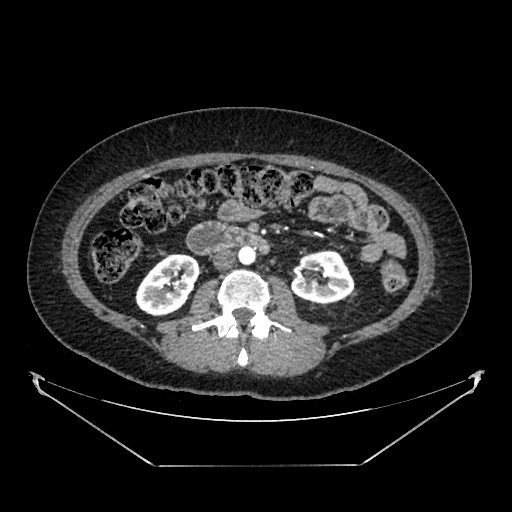
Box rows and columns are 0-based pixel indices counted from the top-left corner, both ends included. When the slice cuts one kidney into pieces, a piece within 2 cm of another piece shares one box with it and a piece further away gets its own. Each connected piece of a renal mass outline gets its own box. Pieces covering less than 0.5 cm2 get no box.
Arterial-phase contrast-enhanced abdominal CT, axial slice 209 of 383 (counted from the lowest slice); 1.25 mm thick, 0.898 mm per pixel. Boxed on this slice (two kidney boxes), listed by box centre from the image's left to its right: (1) Box rows 253–316, columns 135–202: right kidney (outlined area 2,901 px, about 23.4 cm2). (2) Box rows 250–303, columns 290–354: left kidney (outlined area 2,624 px, about 21.2 cm2). This slice carries no renal mass outline.
Scan settings: 100 kVp, SOFT reconstruction kernel.